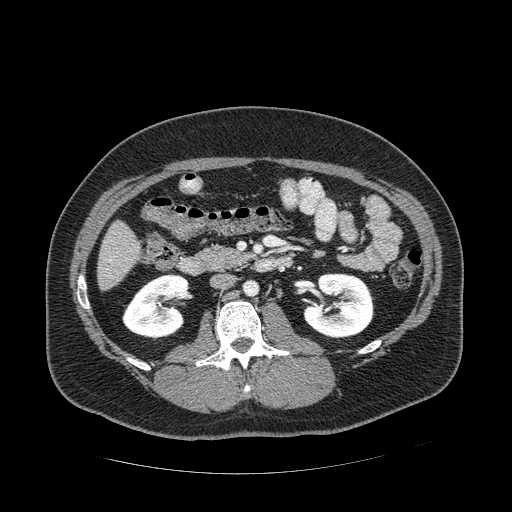
Abdominal CT with intravenous contrast, arterial phase, axial plane, 120 kVp, kernel STANDARD. Slice 249/389 from the bottom of the scan; thickness 1.25 mm; pixel size 0.869 mm.
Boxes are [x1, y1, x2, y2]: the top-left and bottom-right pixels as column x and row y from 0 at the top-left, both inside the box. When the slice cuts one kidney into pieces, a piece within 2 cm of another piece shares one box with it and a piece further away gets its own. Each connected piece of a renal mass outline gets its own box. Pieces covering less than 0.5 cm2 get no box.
Two kidney boxes on this slice; by box centre, from the image's left to its right: (1) Right kidney, box [122, 273, 190, 339] (outlined area 3,222 px, about 24.3 cm2). (2) Box [303, 273, 374, 338]: left kidney (outlined area 3,641 px, about 27.5 cm2). No renal mass is outlined on this slice.